Axial slice 389 of 532 of a contrast-enhanced abdominal CT in the arterial phase (slice 1 is the lowest), 120 kVp, kernel B30f; 1.00 mm slice thickness and 0.713 mm pixels.
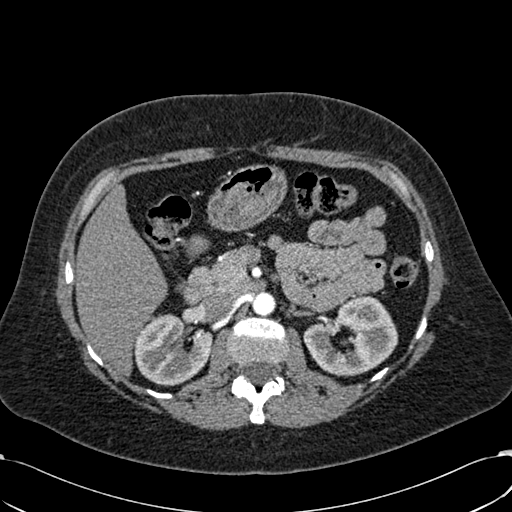
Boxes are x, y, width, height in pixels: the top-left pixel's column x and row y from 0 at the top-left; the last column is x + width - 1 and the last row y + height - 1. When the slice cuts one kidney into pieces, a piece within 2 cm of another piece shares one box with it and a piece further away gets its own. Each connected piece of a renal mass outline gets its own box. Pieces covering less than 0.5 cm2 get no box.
Two kidney boxes on this slice; by box centre, from the image's left to its right: (1) Right kidney, box x 133, y 314, width 80, height 72 (outlined area 4,174 px, about 21.2 cm2). (2) Left kidney, box x 303, y 295, width 96, height 82 (outlined area 5,093 px, about 25.9 cm2). No renal mass outline on this slice.